Axial slice 524 of 612 of a contrast-enhanced abdominal CT in the arterial phase (slice 1 is the lowest), 120 kVp, kernel I30f; 1.00 mm slice thickness and 0.703 mm pixels.
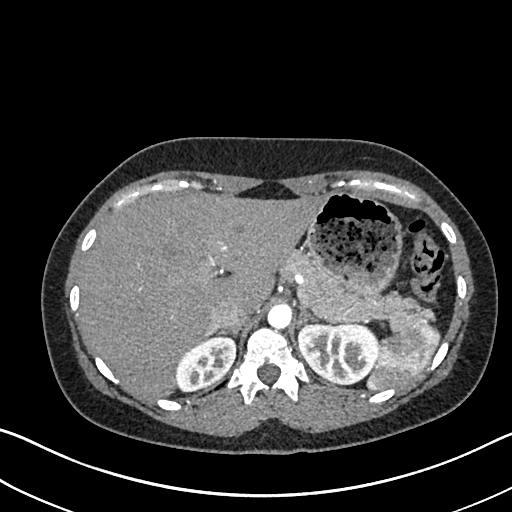
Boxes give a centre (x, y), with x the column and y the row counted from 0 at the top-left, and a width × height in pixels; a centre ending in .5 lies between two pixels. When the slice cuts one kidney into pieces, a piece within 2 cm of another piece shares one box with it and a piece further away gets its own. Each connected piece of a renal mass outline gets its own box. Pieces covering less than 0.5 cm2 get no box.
Boxed on this slice (two kidney boxes), listed by box centre from the image's left to its right: (1) Box centre (205, 362.5), 63 × 56 pixels: right kidney (outlined area 2,413 px, about 11.9 cm2). (2) Left kidney, box centre (337.5, 353.5), 82 × 64 pixels (outlined area 4,055 px, about 20.0 cm2). No renal mass outline on this slice.